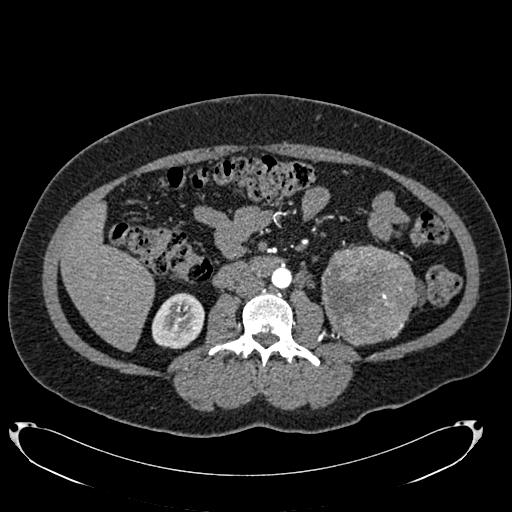
Abdominal CT with intravenous contrast, arterial phase, axial plane, 120 kVp, kernel B20f. Slice 364/634 from the bottom of the scan; thickness 1.00 mm; pixel size 0.838 mm.
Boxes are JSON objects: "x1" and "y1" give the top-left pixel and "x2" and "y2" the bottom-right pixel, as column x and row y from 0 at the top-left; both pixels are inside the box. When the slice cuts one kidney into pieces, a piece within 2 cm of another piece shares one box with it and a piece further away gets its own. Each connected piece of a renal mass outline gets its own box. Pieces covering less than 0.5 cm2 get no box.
One kidney box and one renal mass box on this slice; by box centre, from the image's left to its right: (1) Right kidney at {"x1": 151, "y1": 292, "x2": 204, "y2": 348} (outlined area 2,303 px, about 16.2 cm2). (2) Left renal mass at {"x1": 321, "y1": 244, "x2": 416, "y2": 346} (outlined area 7,701 px, about 54.1 cm2); it sits over 1 cm from every kidney outline on this slice, but the same outlined renal mass comes within 1 cm of the kidney on another slice.